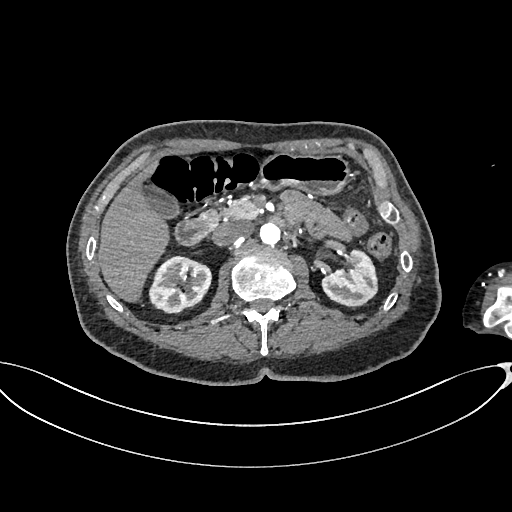
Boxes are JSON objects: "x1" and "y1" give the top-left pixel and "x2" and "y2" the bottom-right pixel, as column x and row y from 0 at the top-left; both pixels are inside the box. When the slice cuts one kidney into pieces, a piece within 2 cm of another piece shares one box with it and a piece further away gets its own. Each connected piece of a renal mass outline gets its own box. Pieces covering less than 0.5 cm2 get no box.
This is axial slice 417 of 665 (slice 1 is the lowest) of an arterial-phase abdominal CT with contrast; each pixel is 0.828 mm and the slice is 1.00 mm thick. Two kidney boxes on this slice; by box centre, from the image's left to its right: (1) Right kidney at {"x1": 148, "y1": 255, "x2": 211, "y2": 314} (outlined area 2,783 px, about 19.1 cm2). (2) Box {"x1": 321, "y1": 249, "x2": 378, "y2": 308}: left kidney (outlined area 2,316 px, about 15.9 cm2). No renal mass is outlined on this slice.
Scan settings: 100 kVp, I26f reconstruction kernel.